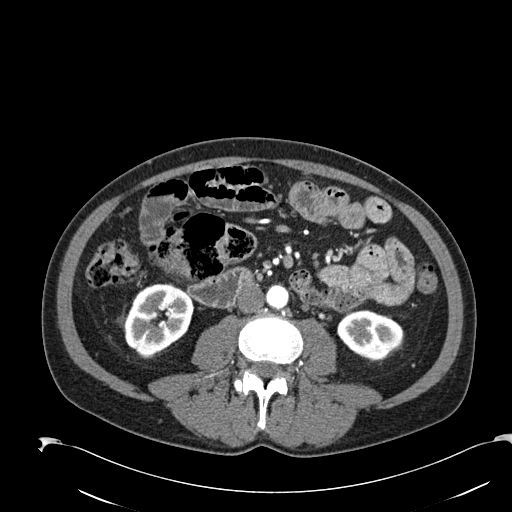
Axial slice 75 of 274 of a contrast-enhanced abdominal CT in the arterial phase (slice 1 is the lowest), 120 kVp, kernel B30f; 2.00 mm slice thickness and 0.809 mm pixels.
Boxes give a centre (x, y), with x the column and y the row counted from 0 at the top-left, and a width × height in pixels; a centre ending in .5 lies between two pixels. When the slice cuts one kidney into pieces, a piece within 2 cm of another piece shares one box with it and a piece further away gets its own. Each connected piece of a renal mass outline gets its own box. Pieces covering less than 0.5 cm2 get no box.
Two boxes on this slice (two kidney boxes), listed by box centre from the image's left to its right. (1) Box centre (159.5, 319.5), 70 × 74 pixels: right kidney (outlined area 3,772 px, about 24.7 cm2). (2) Left kidney, box centre (370.5, 335), 68 × 51 pixels (outlined area 2,502 px, about 16.4 cm2).